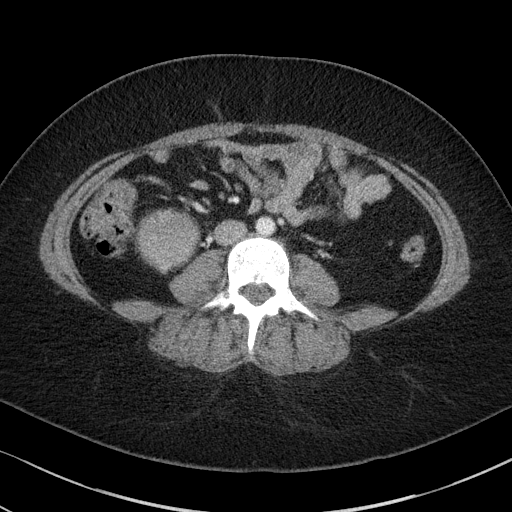
Axial slice 42 of 85 of a contrast-enhanced abdominal CT in the arterial phase (slice 1 is the lowest), 100 kVp, kernel I41f; 5.00 mm slice thickness and 0.664 mm pixels.
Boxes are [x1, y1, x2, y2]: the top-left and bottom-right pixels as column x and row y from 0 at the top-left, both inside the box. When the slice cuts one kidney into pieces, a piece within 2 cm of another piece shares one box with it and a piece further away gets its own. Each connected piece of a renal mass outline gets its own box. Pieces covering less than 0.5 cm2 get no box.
Right renal mass, box [137, 208, 200, 274] (outlined area 3,102 px, about 13.7 cm2); no kidney is outlined on this slice, but the same outlined renal mass comes within 1 cm of the kidney on another slice.